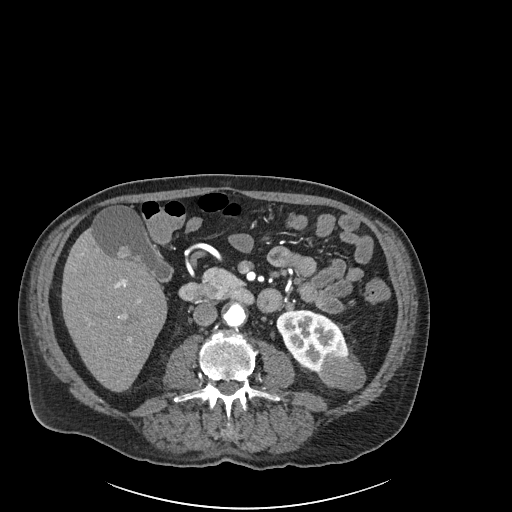
Arterial-phase contrast-enhanced abdominal CT, axial slice 83 of 261 (counted from the lowest slice); tube voltage 120 kVp, convolution kernel I30f; slices 2.00 mm thick, 0.939 mm per pixel.
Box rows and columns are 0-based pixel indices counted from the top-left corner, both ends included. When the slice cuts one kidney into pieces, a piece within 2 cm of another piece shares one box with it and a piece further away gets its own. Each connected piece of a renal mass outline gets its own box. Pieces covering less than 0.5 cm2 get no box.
One kidney box and one renal mass box on this slice; by box centre, from the image's left to its right: (1) Left kidney at rows 309–376, columns 276–348 (outlined area 2,938 px, about 25.9 cm2). (2) Box rows 353–392, columns 319–365: left renal mass (outlined area 1,362 px, about 12.0 cm2).